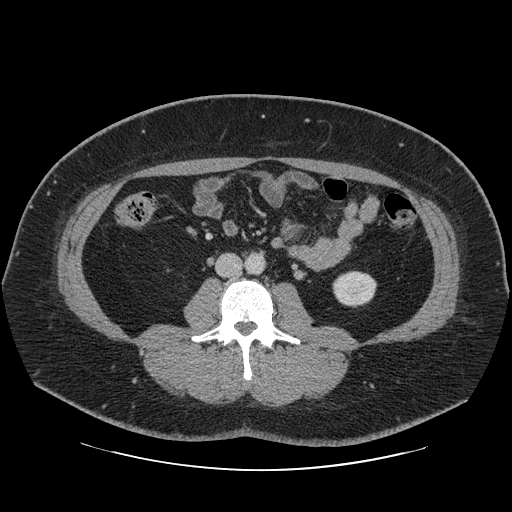
Abdominal CT with intravenous contrast, arterial phase, axial plane, 120 kVp, kernel STANDARD. Slice 12/69 from the bottom of the scan; thickness 2.50 mm; pixel size 0.846 mm.
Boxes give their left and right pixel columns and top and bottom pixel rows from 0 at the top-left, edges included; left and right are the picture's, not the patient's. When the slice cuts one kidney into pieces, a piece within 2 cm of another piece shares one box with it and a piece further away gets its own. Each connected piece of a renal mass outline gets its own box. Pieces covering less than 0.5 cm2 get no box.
Box with left 332, top 270, right 377, bottom 307: left kidney (outlined area 1,295 px, about 9.3 cm2). No renal mass outline on this slice.